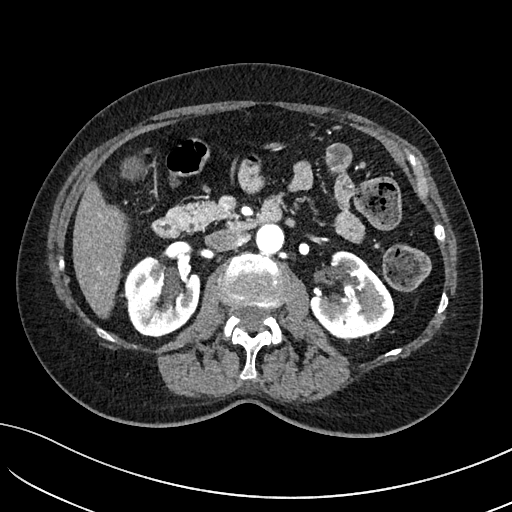
One axial slice (67 of 234, counting up from the lowest) of an arterial-phase abdominal CT acquired with 100 kVp, kernel I40f; each pixel is 0.699 mm and the slice is 2.00 mm thick.
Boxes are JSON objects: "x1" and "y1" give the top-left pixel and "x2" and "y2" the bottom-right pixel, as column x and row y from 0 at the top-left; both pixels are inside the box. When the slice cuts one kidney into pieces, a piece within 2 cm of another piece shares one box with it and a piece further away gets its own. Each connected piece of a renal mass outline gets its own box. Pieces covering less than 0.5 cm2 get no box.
Boxed on this slice (two kidney boxes), listed by box centre from the image's left to its right: (1) Right kidney at {"x1": 124, "y1": 256, "x2": 200, "y2": 337} (outlined area 4,702 px, about 23.0 cm2). (2) Box {"x1": 308, "y1": 250, "x2": 394, "y2": 339}: left kidney (outlined area 5,113 px, about 25.0 cm2). This slice carries no renal mass outline.